Axial slice 64 of 129 of a contrast-enhanced abdominal CT in the arterial phase (slice 1 is the lowest), 140 kVp, kernel STANDARD; 3.75 mm slice thickness and 0.938 mm pixels.
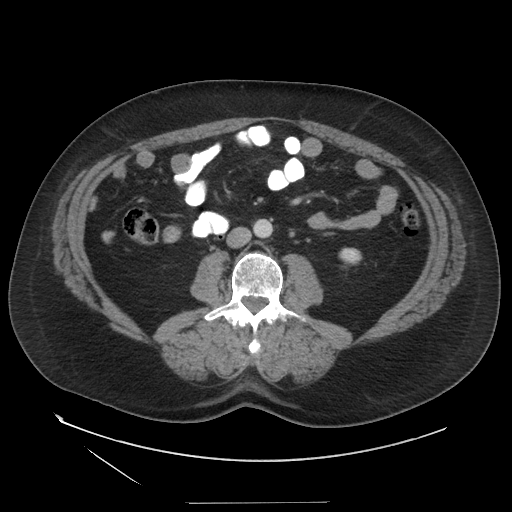
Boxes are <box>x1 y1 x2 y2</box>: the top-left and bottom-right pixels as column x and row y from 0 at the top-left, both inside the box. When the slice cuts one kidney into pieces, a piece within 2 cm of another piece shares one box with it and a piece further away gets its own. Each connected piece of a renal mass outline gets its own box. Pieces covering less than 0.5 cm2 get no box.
At <box>338 247 362 266</box>: left kidney (outlined area 348 px, about 3.1 cm2). This slice carries no renal mass outline.